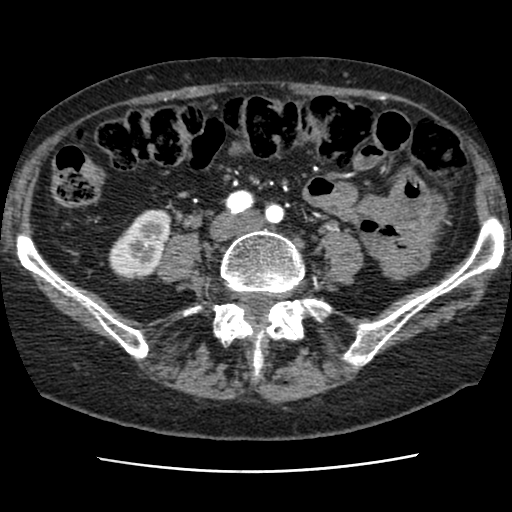
Abdominal CT with intravenous contrast, axial plane, 120 kVp, kernel STANDARD. Slice 15/76 from the bottom of the scan; thickness 2.50 mm; pixel size 0.586 mm.
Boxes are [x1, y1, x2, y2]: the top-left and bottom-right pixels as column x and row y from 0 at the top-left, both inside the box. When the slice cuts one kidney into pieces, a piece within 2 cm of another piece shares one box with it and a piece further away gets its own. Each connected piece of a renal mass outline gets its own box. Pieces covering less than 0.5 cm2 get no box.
Right kidney, box [108, 209, 171, 281] (outlined area 3,075 px, about 10.6 cm2). No renal mass is outlined on this slice.